Abdominal CT with intravenous contrast, arterial phase, axial plane, 120 kVp, kernel I30f. Slice 452/735 from the bottom of the scan; thickness 1.00 mm; pixel size 0.789 mm.
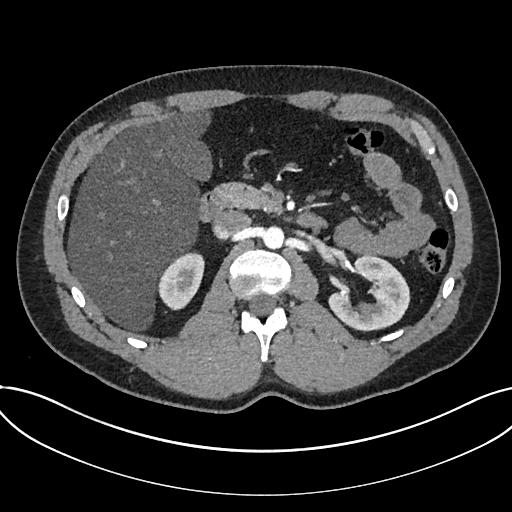
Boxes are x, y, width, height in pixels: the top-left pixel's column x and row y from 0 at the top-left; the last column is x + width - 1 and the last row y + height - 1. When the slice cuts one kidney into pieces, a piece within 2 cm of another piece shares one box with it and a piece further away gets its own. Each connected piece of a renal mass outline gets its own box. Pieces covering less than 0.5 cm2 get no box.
Two kidney boxes on this slice; by box centre, from the image's left to its right: (1) Kidney, box x 158, y 251, width 47, height 60 (outlined area 1,934 px, about 12.0 cm2). (2) Kidney, box x 328, y 255, width 83, height 77 (outlined area 3,999 px, about 24.9 cm2). No renal mass outline on this slice.